Abdominal CT with intravenous contrast, axial plane, 100 kVp, kernel I40f. Slice 253/439 from the bottom of the scan; thickness 2.00 mm; pixel size 0.850 mm.
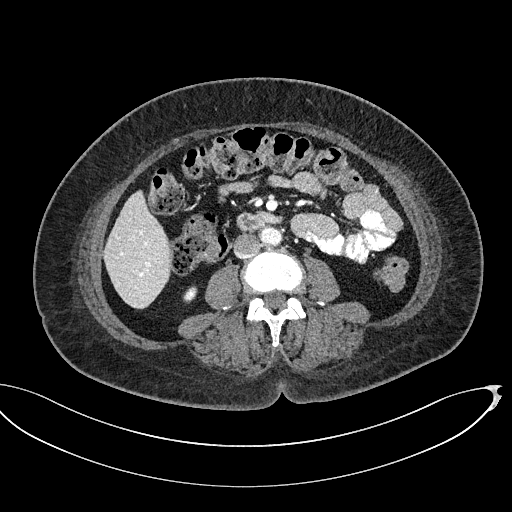
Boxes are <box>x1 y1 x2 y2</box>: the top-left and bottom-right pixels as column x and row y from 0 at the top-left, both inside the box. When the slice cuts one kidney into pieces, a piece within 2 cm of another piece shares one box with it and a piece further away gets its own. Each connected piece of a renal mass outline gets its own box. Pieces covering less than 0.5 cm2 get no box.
At <box>182 285 197 303</box>: right kidney (outlined area 184 px, about 1.3 cm2). This slice carries no renal mass outline.